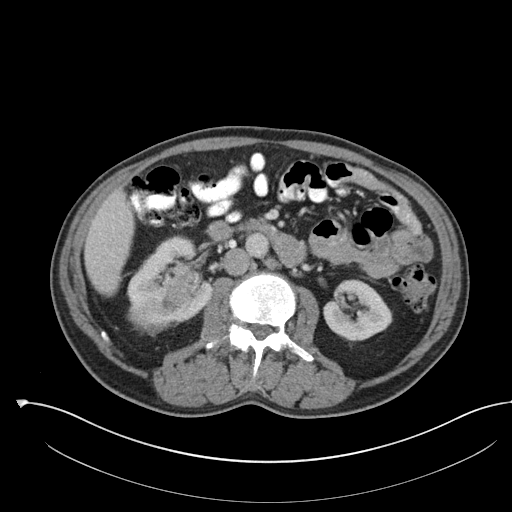
Axial slice 62 of 142 of a contrast-enhanced abdominal CT (slice 1 is the lowest), 100 kVp, kernel I30f; 5.00 mm slice thickness and 0.855 mm pixels.
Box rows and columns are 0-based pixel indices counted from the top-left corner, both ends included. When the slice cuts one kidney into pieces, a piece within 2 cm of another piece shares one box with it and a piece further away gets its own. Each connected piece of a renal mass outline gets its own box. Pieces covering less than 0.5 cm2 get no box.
Boxed on this slice (two kidney boxes and one renal mass box), listed by box centre from the image's left to its right: (1) Right renal mass, box rows 264–335, columns 127–201 (outlined area 3,149 px, about 23.0 cm2). (2) Right kidney, box rows 235–319, columns 127–214 (outlined area 2,791 px, about 20.4 cm2). (3) Left kidney, box rows 279–341, columns 323–392 (outlined area 3,114 px, about 22.8 cm2).